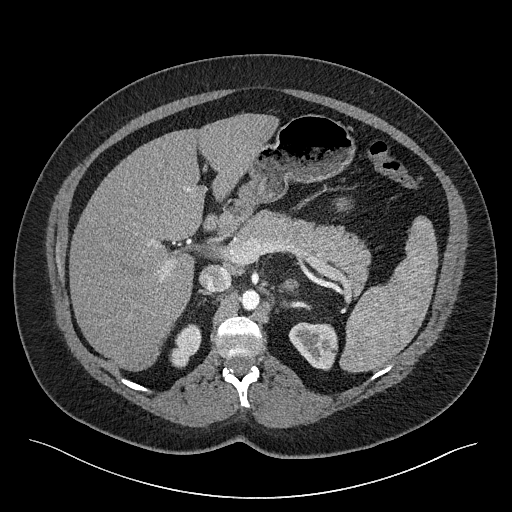
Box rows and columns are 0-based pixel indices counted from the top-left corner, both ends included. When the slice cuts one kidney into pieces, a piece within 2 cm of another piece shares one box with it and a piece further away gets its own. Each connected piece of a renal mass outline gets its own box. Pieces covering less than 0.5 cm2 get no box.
Slice 169/301 of a contrast-enhanced abdominal CT, counting up from the lowest; pixel size 0.859 mm, slice thickness 2.00 mm. Two boxes on this slice (two kidney boxes), listed by box centre from the image's left to its right. (1) Right kidney at rows 324–368, columns 169–201 (outlined area 940 px, about 6.9 cm2). (2) Left kidney at rows 322–370, columns 288–337 (outlined area 1,769 px, about 13.1 cm2). No renal mass is outlined on this slice.
Acquired at 120 kVp and reconstructed with the I40f kernel.